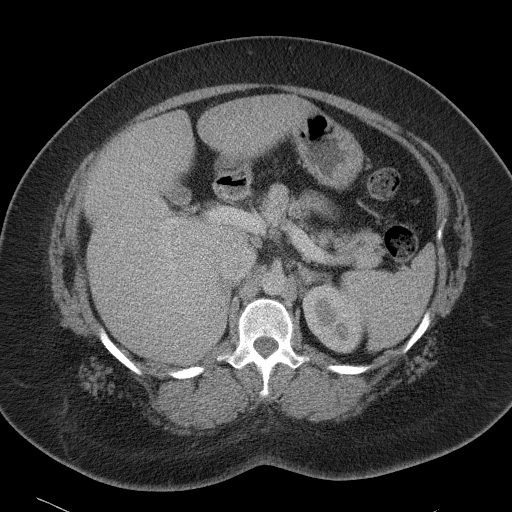
Contrast-enhanced abdominal CT, axial slice 70 of 90 (counted from the lowest slice); tube voltage 120 kVp, convolution kernel B41f; slices 5.00 mm thick, 0.781 mm per pixel.
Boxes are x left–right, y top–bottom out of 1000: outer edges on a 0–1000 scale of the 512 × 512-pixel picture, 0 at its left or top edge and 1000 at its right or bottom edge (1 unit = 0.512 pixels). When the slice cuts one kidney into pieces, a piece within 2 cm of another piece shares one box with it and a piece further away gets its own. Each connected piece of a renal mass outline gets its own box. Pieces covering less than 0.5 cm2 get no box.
Box x 590–713, y 557–691 out of 1000: left kidney (outlined area 3,239 px, about 19.8 cm2). No renal mass is outlined on this slice.